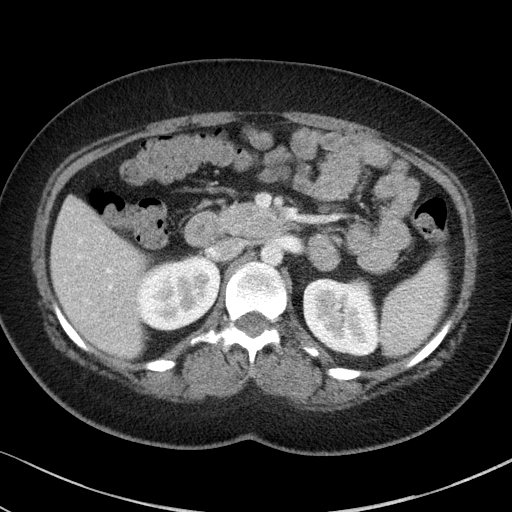
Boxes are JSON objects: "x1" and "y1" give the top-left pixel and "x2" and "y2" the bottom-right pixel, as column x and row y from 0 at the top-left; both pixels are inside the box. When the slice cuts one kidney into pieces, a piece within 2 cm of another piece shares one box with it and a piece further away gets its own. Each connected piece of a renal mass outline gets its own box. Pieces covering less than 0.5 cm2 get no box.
This is axial slice 59 of 85 (slice 1 is the lowest) of an arterial-phase abdominal CT with contrast; each pixel is 0.664 mm and the slice is 5.00 mm thick. Two boxes on this slice (two kidney boxes), listed by box centre from the image's left to its right. (1) Box {"x1": 135, "y1": 254, "x2": 220, "y2": 331}: right kidney (outlined area 4,995 px, about 22.0 cm2). (2) Left kidney at {"x1": 302, "y1": 277, "x2": 379, "y2": 357} (outlined area 5,001 px, about 22.1 cm2). No renal mass outline on this slice.
Tube voltage 100 kVp; convolution kernel I41f.